One axial slice (79 of 105, counting up from the lowest) of an arterial-phase abdominal CT acquired with 120 kVp, kernel STANDARD; each pixel is 0.707 mm and the slice is 5.00 mm thick.
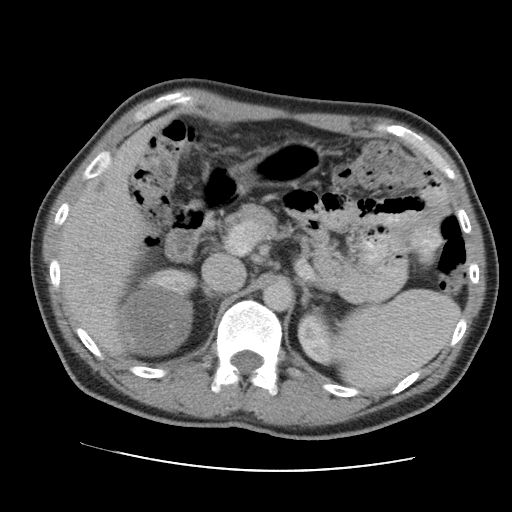
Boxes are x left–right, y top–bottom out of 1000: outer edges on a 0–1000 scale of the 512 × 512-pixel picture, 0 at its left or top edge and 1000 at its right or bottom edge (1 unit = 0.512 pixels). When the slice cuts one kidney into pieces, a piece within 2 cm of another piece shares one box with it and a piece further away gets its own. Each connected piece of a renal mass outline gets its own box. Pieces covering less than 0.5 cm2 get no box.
Two kidney boxes and one renal mass box on this slice; by box centre, from the image's left to its right: (1) Right renal mass at x 234–379, y 553–697 out of 1000 (outlined area 4,568 px, about 22.8 cm2). (2) Box x 260–389, y 521–574 out of 1000: right kidney (outlined area 1,038 px, about 5.2 cm2). (3) Left kidney, box x 580–648, y 600–717 out of 1000 (outlined area 1,501 px, about 7.5 cm2).